Arterial-phase contrast-enhanced abdominal CT, axial slice 27 of 101 (counted from the lowest slice); tube voltage 120 kVp, convolution kernel FC14; slices 5.00 mm thick, 0.755 mm per pixel.
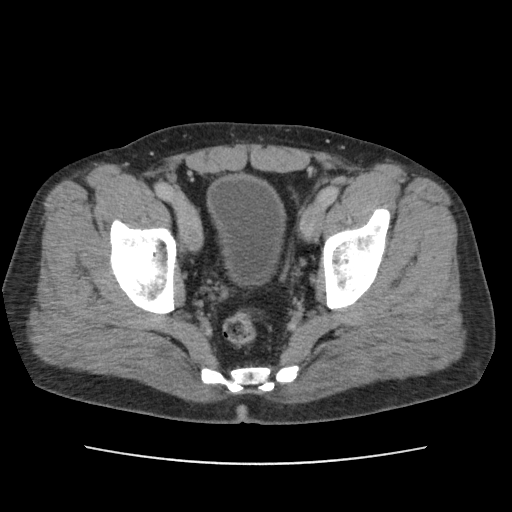
Outside the outlined region: no kidney outline and no renal mass outline on this slice. The scan's outlines cover only kidneys and renal masses; no other organ is outlined.